Arterial-phase contrast-enhanced abdominal CT, axial slice 373 of 532 (counted from the lowest slice); tube voltage 120 kVp, convolution kernel B30f; slices 1.00 mm thick, 0.713 mm per pixel.
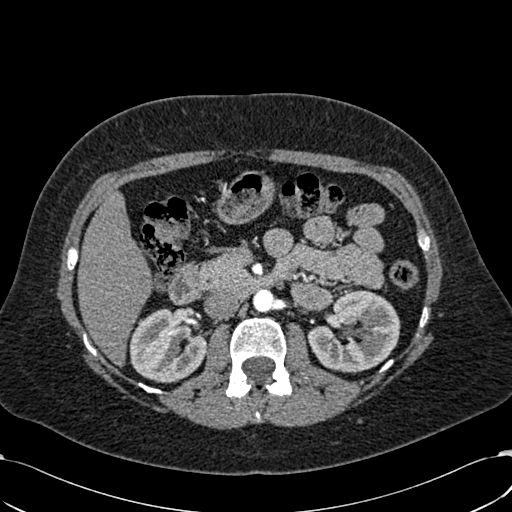
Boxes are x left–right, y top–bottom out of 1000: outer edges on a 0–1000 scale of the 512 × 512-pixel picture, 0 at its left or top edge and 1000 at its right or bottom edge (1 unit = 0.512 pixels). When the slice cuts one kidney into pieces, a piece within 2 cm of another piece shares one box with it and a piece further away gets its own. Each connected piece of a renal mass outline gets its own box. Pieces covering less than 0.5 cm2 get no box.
Boxed on this slice (two kidney boxes), listed by box centre from the image's left to its right: (1) Right kidney, box x 252–404, y 602–748 out of 1000 (outlined area 4,253 px, about 21.6 cm2). (2) Left kidney, box x 600–783, y 566–730 out of 1000 (outlined area 5,468 px, about 27.8 cm2). No renal mass outline on this slice.